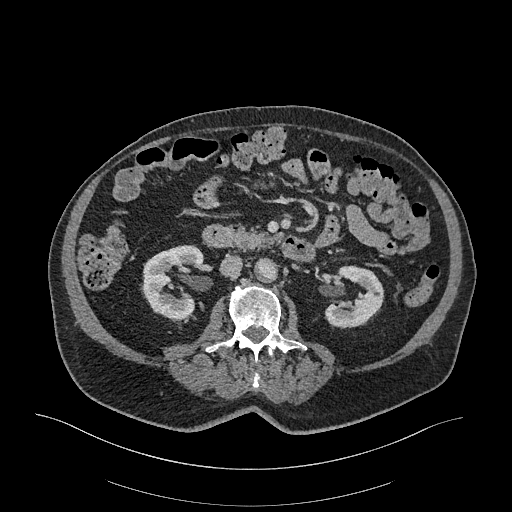
Axial slice 143 of 470 of a contrast-enhanced abdominal CT in the arterial phase (slice 1 is the lowest), 120 kVp, kernel I26f; 1.00 mm slice thickness and 0.938 mm pixels.
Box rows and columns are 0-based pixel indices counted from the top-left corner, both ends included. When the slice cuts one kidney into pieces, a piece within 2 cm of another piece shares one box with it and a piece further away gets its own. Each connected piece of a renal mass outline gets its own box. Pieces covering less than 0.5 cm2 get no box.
Boxed on this slice (two kidney boxes), listed by box centre from the image's left to its right: (1) Box rows 245–319, columns 141–203: right kidney (outlined area 3,254 px, about 28.6 cm2). (2) Left kidney, box rows 265–328, columns 324–384 (outlined area 2,585 px, about 22.7 cm2). No renal mass outline on this slice.